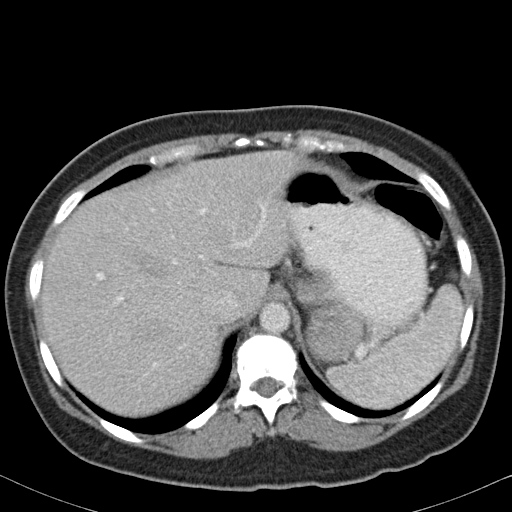
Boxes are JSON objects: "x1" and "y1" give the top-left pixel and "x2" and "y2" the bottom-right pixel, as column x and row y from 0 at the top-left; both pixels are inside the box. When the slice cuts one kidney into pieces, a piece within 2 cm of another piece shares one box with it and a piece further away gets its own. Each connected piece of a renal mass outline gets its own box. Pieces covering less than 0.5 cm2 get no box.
Arterial-phase contrast-enhanced abdominal CT, axial slice 75 of 82 (counted from the lowest slice); 5.00 mm thick, 0.625 mm per pixel. Left renal mass, box {"x1": 304, "y1": 306, "x2": 363, "y2": 365} (outlined area 2,753 px, about 10.8 cm2); this slice has no kidney outline, though on another slice the same outlined renal mass lies within 1 cm of the kidney.
Tube voltage 120 kVp; convolution kernel B31f.